One axial slice (509 of 735, counting up from the lowest) of an arterial-phase abdominal CT acquired with 120 kVp, kernel I30f; each pixel is 0.789 mm and the slice is 1.00 mm thick.
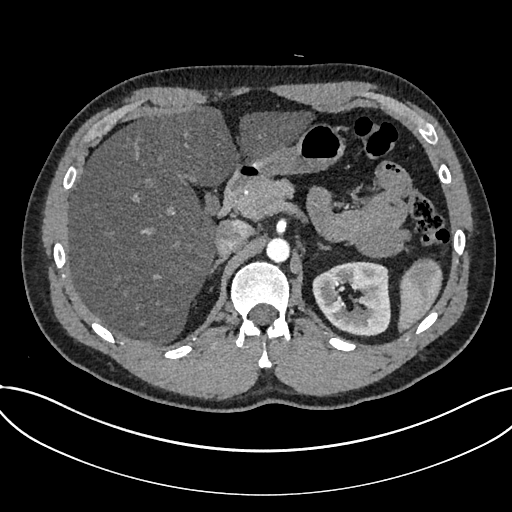
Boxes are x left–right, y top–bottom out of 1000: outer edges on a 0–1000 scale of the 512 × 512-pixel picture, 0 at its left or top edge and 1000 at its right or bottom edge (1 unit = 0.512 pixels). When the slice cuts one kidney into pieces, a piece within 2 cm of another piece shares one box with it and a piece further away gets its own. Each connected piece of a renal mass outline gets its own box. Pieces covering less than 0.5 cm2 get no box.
Kidney, box x 609–764, y 510–658 out of 1000 (outlined area 4,566 px, about 28.4 cm2). No renal mass is outlined on this slice.